Axial slice 127 of 279 of a contrast-enhanced abdominal CT in the arterial phase (slice 1 is the lowest), 120 kVp, kernel B31f; 2.00 mm slice thickness and 0.824 mm pixels.
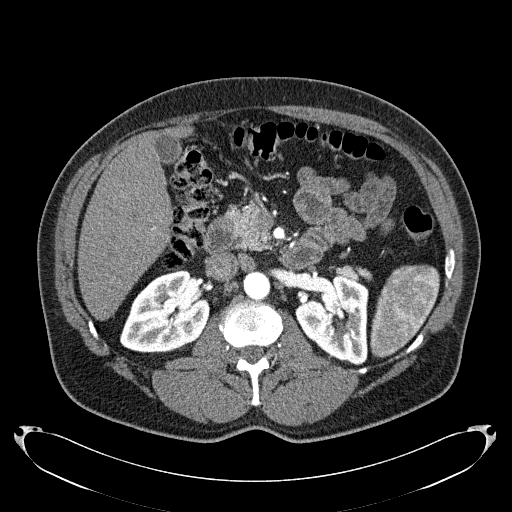
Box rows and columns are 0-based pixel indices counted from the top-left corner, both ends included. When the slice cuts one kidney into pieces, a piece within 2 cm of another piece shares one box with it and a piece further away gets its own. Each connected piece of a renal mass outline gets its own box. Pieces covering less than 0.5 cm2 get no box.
Boxed on this slice (two kidney boxes), listed by box centre from the image's left to its right: (1) Right kidney at rows 268–352, columns 120–209 (outlined area 5,431 px, about 36.9 cm2). (2) Left kidney, box rows 275–365, columns 295–368 (outlined area 4,790 px, about 32.5 cm2).